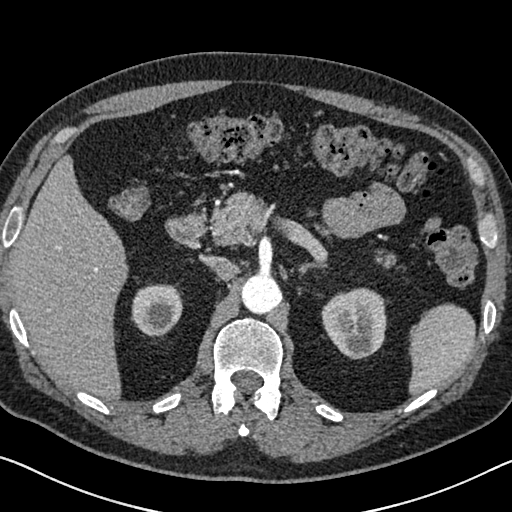
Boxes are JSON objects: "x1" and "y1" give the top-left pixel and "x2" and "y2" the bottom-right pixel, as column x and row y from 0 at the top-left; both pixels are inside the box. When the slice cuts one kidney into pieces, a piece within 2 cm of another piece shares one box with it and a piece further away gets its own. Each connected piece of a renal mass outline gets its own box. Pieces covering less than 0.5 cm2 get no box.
Slice 466/626 of a contrast-enhanced abdominal CT in the arterial phase, counting up from the lowest; pixel size 0.703 mm, slice thickness 1.00 mm. Two kidney boxes on this slice; by box centre, from the image's left to its right: (1) Right kidney at {"x1": 131, "y1": 284, "x2": 182, "y2": 337} (outlined area 2,180 px, about 10.8 cm2). (2) Left kidney at {"x1": 321, "y1": 287, "x2": 386, "y2": 359} (outlined area 3,632 px, about 18.0 cm2). No renal mass outline on this slice.
Scan settings: 120 kVp, I30f reconstruction kernel.